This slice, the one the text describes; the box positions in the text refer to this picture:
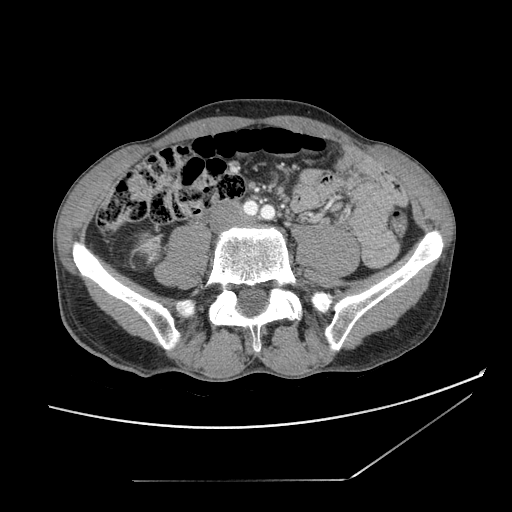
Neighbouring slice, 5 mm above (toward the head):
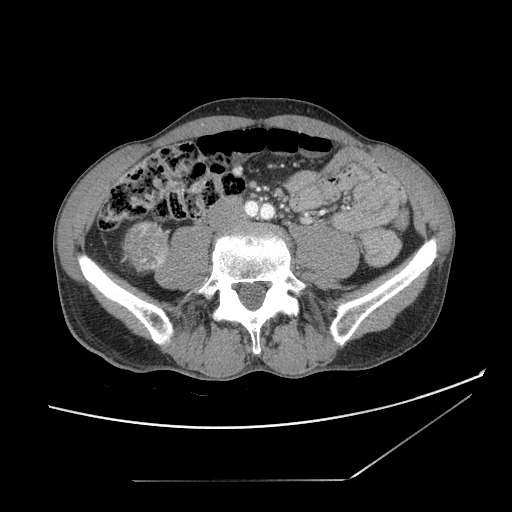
One axial slice (29 of 121, counting up from the lowest) of a contrast-enhanced abdominal CT acquired with 120 kVp, kernel STANDARD; each pixel is 0.742 mm and the slice is 2.50 mm thick.
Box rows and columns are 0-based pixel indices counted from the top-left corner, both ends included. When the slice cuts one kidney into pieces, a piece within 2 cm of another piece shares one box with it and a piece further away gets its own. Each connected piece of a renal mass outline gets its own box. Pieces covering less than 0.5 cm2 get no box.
Right renal mass, box rows 232–260, columns 137–160 (outlined area 473 px, about 2.6 cm2); no kidney outline appears on this slice, but the same outlined renal mass comes within 1 cm of the kidney on another slice. This slice is near the end of the right renal mass toward the feet, so the slice 5 mm above it is shown as well; the boxes refer to this slice only.